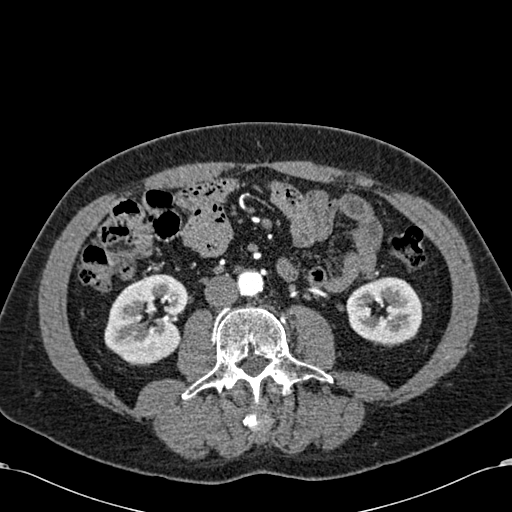
Abdominal CT with intravenous contrast, arterial phase, axial plane, 120 kVp, kernel B30f. Slice 272/581 from the bottom of the scan; thickness 1.00 mm; pixel size 0.713 mm.
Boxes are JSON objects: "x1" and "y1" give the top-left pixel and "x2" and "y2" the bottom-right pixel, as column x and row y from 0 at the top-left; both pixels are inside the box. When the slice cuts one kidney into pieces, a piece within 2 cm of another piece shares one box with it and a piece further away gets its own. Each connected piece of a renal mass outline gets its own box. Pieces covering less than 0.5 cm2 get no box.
Two kidney boxes on this slice; by box centre, from the image's left to its right: (1) Right kidney, box {"x1": 104, "y1": 274, "x2": 187, "y2": 363} (outlined area 5,568 px, about 28.3 cm2). (2) Left kidney at {"x1": 346, "y1": 276, "x2": 422, "y2": 346} (outlined area 4,054 px, about 20.6 cm2). No renal mass outline on this slice.